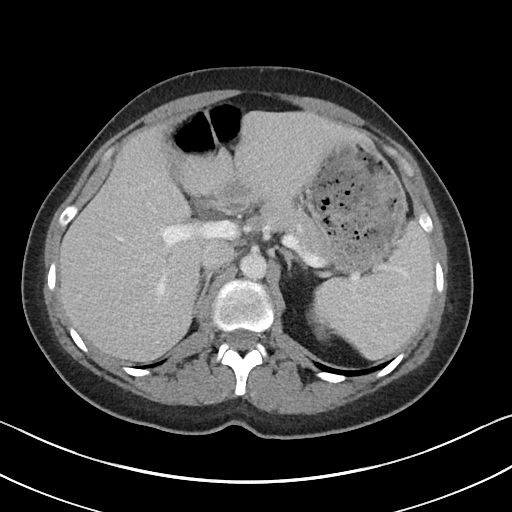
Abdominal CT with intravenous contrast, arterial phase, axial plane, 100 kVp, kernel I40f. Slice 72/90 from the bottom of the scan; thickness 5.00 mm; pixel size 0.703 mm.
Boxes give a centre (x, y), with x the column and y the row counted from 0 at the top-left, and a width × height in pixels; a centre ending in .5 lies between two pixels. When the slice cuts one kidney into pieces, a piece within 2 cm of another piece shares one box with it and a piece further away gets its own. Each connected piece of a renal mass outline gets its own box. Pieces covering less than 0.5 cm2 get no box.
Left kidney in a box with centre (319.5, 322.5), 28 × 36 pixels (outlined area 581 px, about 2.9 cm2). This slice carries no renal mass outline.